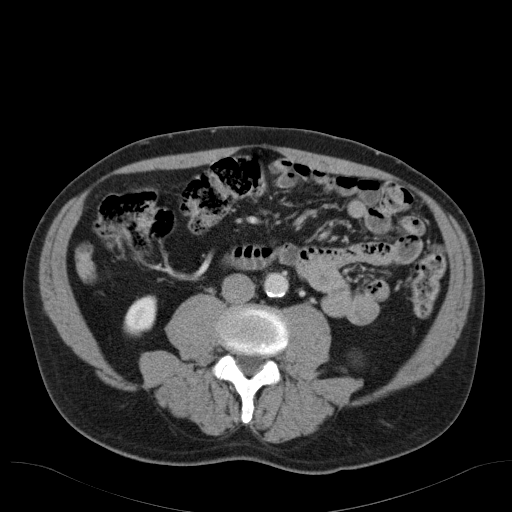
One axial slice (56 of 98, counting up from the lowest) of an arterial-phase abdominal CT acquired with 120 kVp, kernel B31f; each pixel is 0.764 mm and the slice is 5.00 mm thick.
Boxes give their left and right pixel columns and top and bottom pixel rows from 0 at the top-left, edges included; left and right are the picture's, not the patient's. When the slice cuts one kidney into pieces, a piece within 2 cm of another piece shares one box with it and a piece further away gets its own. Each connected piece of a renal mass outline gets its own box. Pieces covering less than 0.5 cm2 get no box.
Right kidney in the box with left 123, top 295, right 156, bottom 336 (outlined area 1,034 px, about 6.0 cm2). No renal mass is outlined on this slice.